One axial slice (50 of 90, counting up from the lowest) of a contrast-enhanced abdominal CT acquired with 120 kVp, kernel B41f; each pixel is 0.781 mm and the slice is 5.00 mm thick.
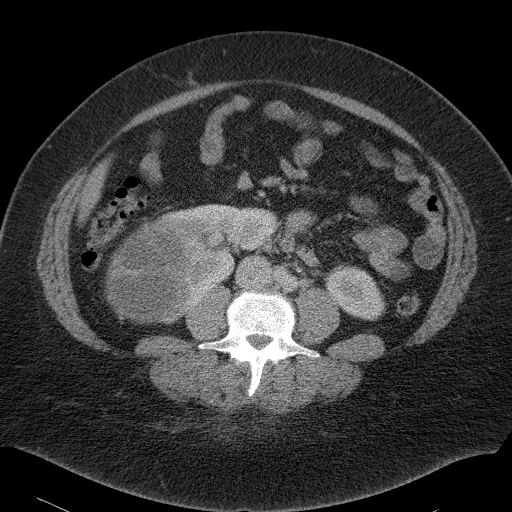
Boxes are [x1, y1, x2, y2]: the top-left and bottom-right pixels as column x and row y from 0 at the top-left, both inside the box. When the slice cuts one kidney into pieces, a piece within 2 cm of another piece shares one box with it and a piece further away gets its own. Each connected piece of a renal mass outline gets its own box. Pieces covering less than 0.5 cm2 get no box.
Boxed on this slice (two kidney boxes and one renal mass box), listed by box centre from the image's left to its right: (1) Right renal mass, box [106, 214, 223, 323] (outlined area 9,663 px, about 59.0 cm2). (2) Right kidney, box [163, 204, 279, 299] (outlined area 3,734 px, about 22.8 cm2). (3) Left kidney at [324, 264, 386, 320] (outlined area 2,355 px, about 14.4 cm2).